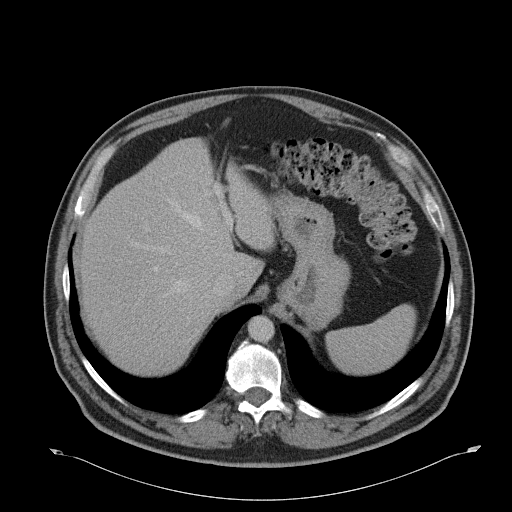
Contrast-enhanced abdominal CT, axial slice 38 of 51 (counted from the lowest slice); tube voltage 120 kVp, convolution kernel B31f; slices 5.00 mm thick, 0.865 mm per pixel.
No kidney and no renal mass is outlined on this slice; the outlines in this scan cover only the kidneys and the renal masses, so nothing is said about any other organ.